Axial slice 139 of 199 of a contrast-enhanced abdominal CT in the arterial phase (slice 1 is the lowest), 120 kVp, kernel STANDARD; 2.50 mm slice thickness and 0.789 mm pixels.
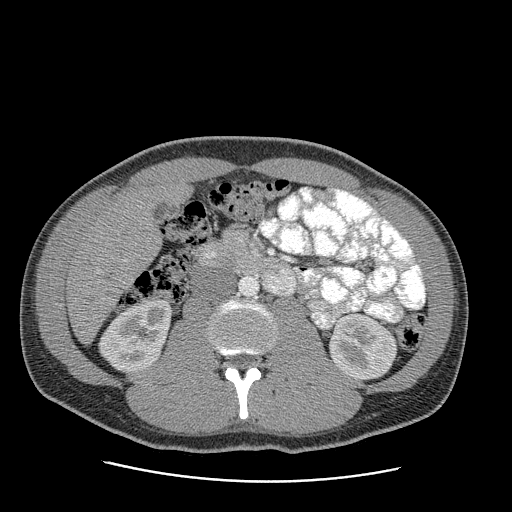
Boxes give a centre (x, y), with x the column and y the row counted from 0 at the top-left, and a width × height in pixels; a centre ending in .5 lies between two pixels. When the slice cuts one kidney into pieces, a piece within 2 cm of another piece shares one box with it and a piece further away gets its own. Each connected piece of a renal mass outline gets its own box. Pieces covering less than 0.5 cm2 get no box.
Two kidney boxes on this slice; by box centre, from the image's left to its right: (1) Box centre (134.5, 333.5), 74 × 76 pixels: right kidney (outlined area 3,903 px, about 24.3 cm2). (2) Left kidney in a box with centre (362, 345.5), 69 × 68 pixels (outlined area 3,578 px, about 22.3 cm2). No renal mass outline on this slice.